Arterial-phase contrast-enhanced abdominal CT, axial slice 492 of 626 (counted from the lowest slice); tube voltage 120 kVp, convolution kernel I30f; slices 1.00 mm thick, 0.703 mm per pixel.
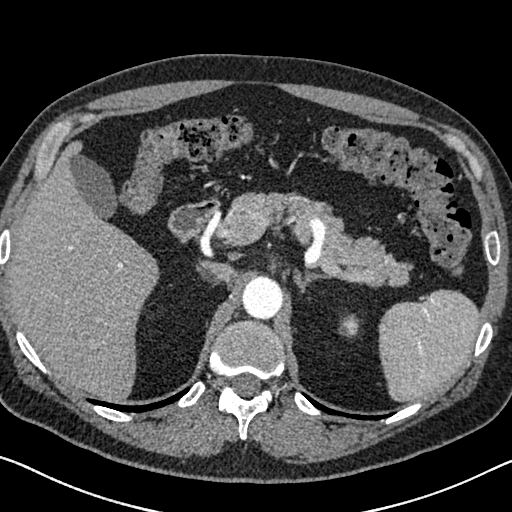
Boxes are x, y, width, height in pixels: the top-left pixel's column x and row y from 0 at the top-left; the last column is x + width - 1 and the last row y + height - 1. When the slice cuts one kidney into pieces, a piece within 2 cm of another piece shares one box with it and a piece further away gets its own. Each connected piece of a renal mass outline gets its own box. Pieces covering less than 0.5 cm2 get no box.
Box x 338, y 314, width 22, height 24: left kidney (outlined area 380 px, about 1.9 cm2). No renal mass outline on this slice.